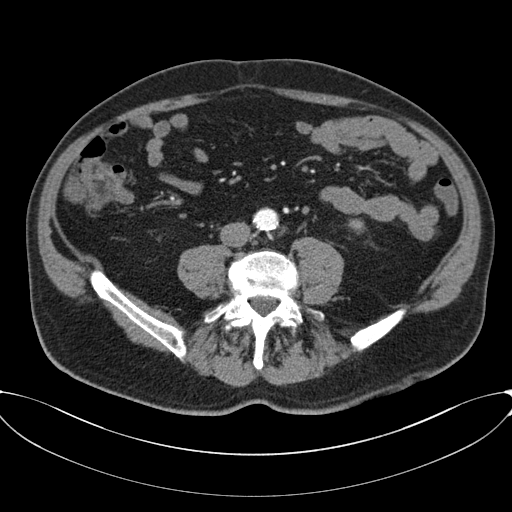
Contrast-enhanced abdominal CT, axial slice 12 of 80 (counted from the lowest slice); tube voltage 120 kVp, convolution kernel B30f; slices 3.00 mm thick, 0.822 mm per pixel.
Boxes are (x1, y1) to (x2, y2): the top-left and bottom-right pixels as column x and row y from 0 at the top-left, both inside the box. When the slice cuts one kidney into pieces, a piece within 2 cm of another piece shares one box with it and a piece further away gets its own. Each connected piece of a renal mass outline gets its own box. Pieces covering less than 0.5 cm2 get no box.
Box (347, 218) to (365, 234): left kidney (outlined area 200 px, about 1.4 cm2). No renal mass outline on this slice.